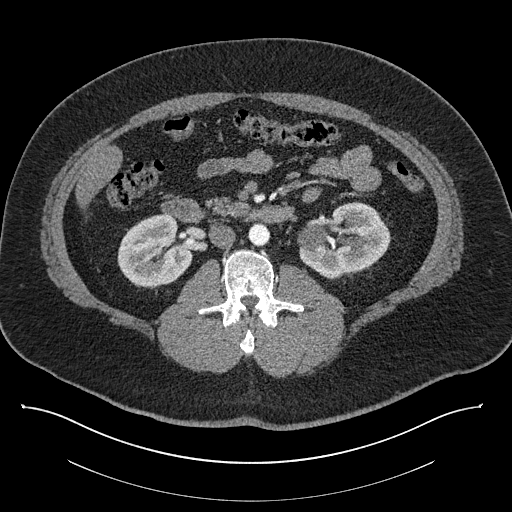
One axial slice (468 of 787, counting up from the lowest) of a contrast-enhanced abdominal CT acquired with 140 kVp, kernel I30f; each pixel is 0.910 mm and the slice is 1.00 mm thick.
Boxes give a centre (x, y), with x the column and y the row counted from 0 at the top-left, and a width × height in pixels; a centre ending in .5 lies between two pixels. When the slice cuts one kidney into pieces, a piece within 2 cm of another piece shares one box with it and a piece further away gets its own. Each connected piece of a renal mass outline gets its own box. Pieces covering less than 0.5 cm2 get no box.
Two kidney boxes on this slice; by box centre, from the image's left to its right: (1) Box centre (155, 250.5), 77 × 76 pixels: right kidney (outlined area 4,186 px, about 34.7 cm2). (2) Left kidney, box centre (344, 240.5), 95 × 78 pixels (outlined area 5,204 px, about 43.1 cm2). No renal mass is outlined on this slice.